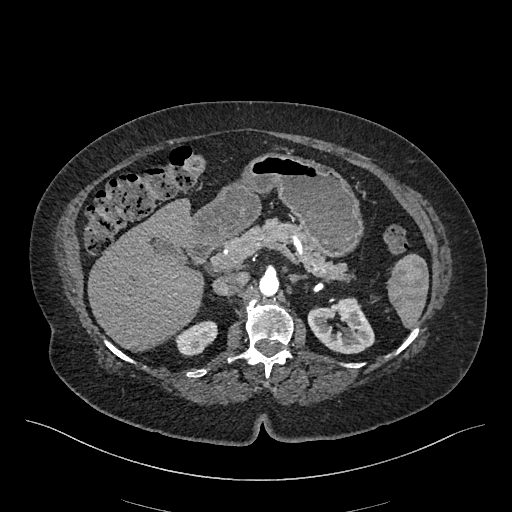
One axial slice (308 of 548, counting up from the lowest) of an arterial-phase abdominal CT acquired with 120 kVp, kernel I26f; each pixel is 0.852 mm and the slice is 1.00 mm thick.
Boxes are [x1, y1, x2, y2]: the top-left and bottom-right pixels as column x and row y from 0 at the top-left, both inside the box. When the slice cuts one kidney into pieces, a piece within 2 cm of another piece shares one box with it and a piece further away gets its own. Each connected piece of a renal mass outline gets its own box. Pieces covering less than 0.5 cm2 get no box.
Boxed on this slice (two kidney boxes), listed by box centre from the image's left to its right: (1) Right kidney, box [175, 320, 217, 356] (outlined area 1,062 px, about 7.7 cm2). (2) Left kidney, box [307, 297, 374, 353] (outlined area 2,649 px, about 19.2 cm2).